Abdominal CT with intravenous contrast, arterial phase, axial plane, 120 kVp, kernel I30f. Slice 528/705 from the bottom of the scan; thickness 1.00 mm; pixel size 0.703 mm.
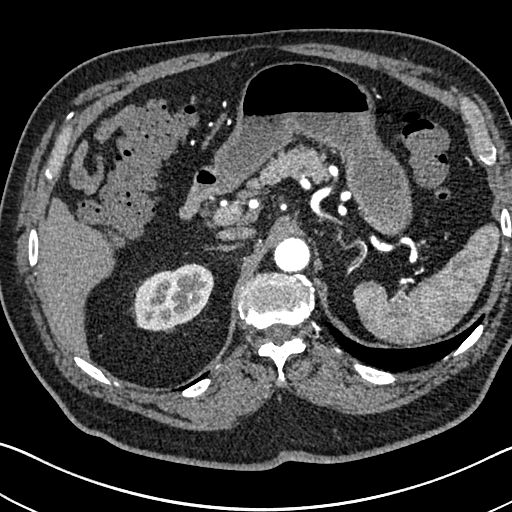
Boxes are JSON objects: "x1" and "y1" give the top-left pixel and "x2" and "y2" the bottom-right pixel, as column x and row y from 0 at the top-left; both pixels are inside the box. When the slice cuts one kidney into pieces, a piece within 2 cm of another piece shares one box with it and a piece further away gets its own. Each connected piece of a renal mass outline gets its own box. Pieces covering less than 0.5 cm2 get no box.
Right kidney, box {"x1": 134, "y1": 263, "x2": 213, "y2": 331} (outlined area 4,026 px, about 19.9 cm2). No renal mass outline on this slice.